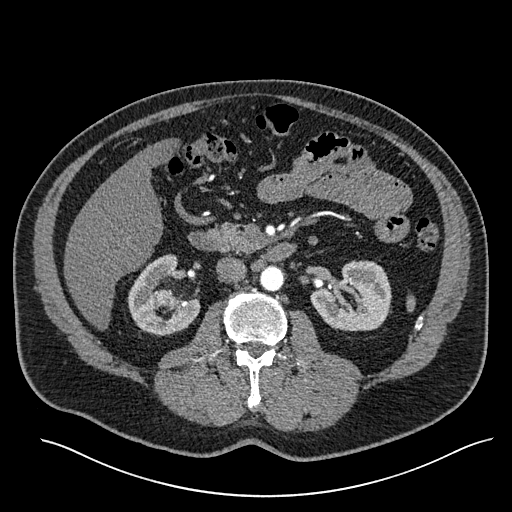
Arterial-phase contrast-enhanced abdominal CT, axial slice 324 of 527 (counted from the lowest slice); tube voltage 120 kVp, convolution kernel I30f; slices 1.00 mm thick, 0.859 mm per pixel.
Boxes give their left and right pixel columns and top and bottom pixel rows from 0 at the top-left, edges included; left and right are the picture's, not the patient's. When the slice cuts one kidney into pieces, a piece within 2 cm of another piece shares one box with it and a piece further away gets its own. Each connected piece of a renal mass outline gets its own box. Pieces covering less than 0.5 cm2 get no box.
Three boxes on this slice (two kidney boxes and one renal mass box), listed by box centre from the image's left to its right. (1) Box with left 127, top 254, right 200, bottom 336: right kidney (outlined area 3,451 px, about 25.5 cm2). (2) Right renal mass in the box with left 154, top 288, right 174, bottom 308 (outlined area 356 px, about 2.6 cm2). (3) Left kidney in the box with left 310, top 260, right 391, bottom 331 (outlined area 4,308 px, about 31.8 cm2).